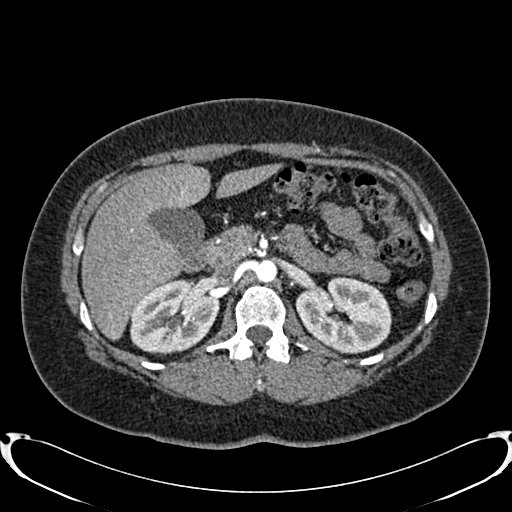
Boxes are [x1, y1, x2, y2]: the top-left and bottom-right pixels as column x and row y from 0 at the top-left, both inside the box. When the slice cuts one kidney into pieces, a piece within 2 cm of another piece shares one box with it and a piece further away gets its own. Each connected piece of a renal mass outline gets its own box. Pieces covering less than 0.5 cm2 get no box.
Arterial-phase contrast-enhanced abdominal CT, axial slice 512 of 719 (counted from the lowest slice); 1.00 mm thick, 0.766 mm per pixel. Boxed on this slice (two kidney boxes), listed by box centre from the image's left to its right: (1) Right kidney, box [130, 278, 218, 354] (outlined area 5,111 px, about 30.0 cm2). (2) Left kidney, box [295, 276, 391, 353] (outlined area 5,503 px, about 32.3 cm2). This slice carries no renal mass outline.
Scan settings: 120 kVp, B20f reconstruction kernel.